Arterial-phase contrast-enhanced abdominal CT, axial slice 472 of 723 (counted from the lowest slice); tube voltage 120 kVp, convolution kernel B30f; slices 1.00 mm thick, 0.895 mm per pixel.
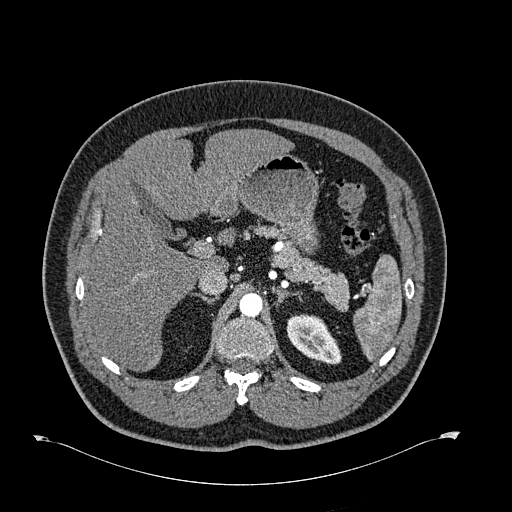
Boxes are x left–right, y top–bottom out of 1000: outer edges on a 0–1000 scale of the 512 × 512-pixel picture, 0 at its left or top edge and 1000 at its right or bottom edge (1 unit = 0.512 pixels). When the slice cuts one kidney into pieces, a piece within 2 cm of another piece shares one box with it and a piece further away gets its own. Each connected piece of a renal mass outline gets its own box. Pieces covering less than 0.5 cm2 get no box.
Box x 559–668, y 613–713 out of 1000: left kidney (outlined area 1,905 px, about 15.2 cm2). No renal mass outline on this slice.